Arterial-phase contrast-enhanced abdominal CT, axial slice 523 of 670 (counted from the lowest slice); tube voltage 120 kVp, convolution kernel I30f; slices 1.00 mm thick, 0.861 mm per pixel.
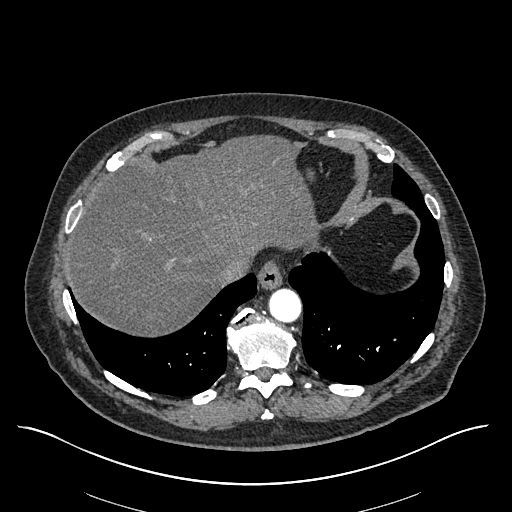
No kidney and no renal mass is outlined on this slice; the outlines in this scan cover only the kidneys and the renal masses, so nothing is said about any other organ.